Contrast-enhanced abdominal CT, axial slice 60 of 84 (counted from the lowest slice); tube voltage 140 kVp, convolution kernel STANDARD; slices 5.00 mm thick, 0.717 mm per pixel.
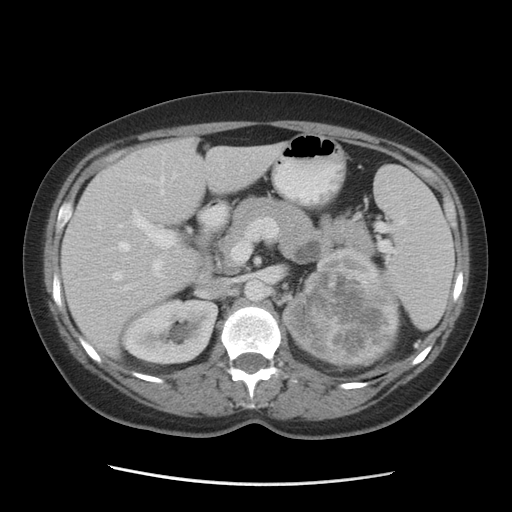
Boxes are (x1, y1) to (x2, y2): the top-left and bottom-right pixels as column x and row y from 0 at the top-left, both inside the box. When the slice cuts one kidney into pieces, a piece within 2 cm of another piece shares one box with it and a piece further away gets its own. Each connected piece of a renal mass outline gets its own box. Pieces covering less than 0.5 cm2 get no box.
Three boxes on this slice (two kidney boxes and one renal mass box), listed by box centre from the image's left to its right. (1) Box (120, 297) to (218, 366): right kidney (outlined area 5,034 px, about 25.9 cm2). (2) Left kidney from (280, 248) to (381, 361) (outlined area 2,063 px, about 10.6 cm2). (3) Box (301, 266) to (402, 368): left renal mass (outlined area 8,402 px, about 43.2 cm2).